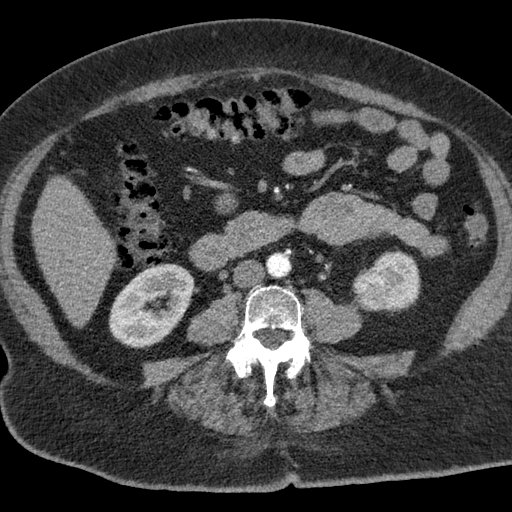
Axial slice 21 of 76 of a contrast-enhanced abdominal CT (slice 1 is the lowest), 120 kVp, kernel B; 3.00 mm slice thickness and 0.684 mm pixels.
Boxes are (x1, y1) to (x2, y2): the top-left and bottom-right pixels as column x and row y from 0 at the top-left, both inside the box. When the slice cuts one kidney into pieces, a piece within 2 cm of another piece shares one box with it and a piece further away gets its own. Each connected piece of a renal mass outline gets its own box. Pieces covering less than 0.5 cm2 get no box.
Boxed on this slice (two kidney boxes and one renal mass box), listed by box centre from the image's left to its right: (1) Right kidney from (108, 263) to (192, 348) (outlined area 5,143 px, about 24.0 cm2). (2) Left renal mass from (352, 266) to (389, 311) (outlined area 1,359 px, about 6.4 cm2). (3) Box (373, 250) to (420, 315): left kidney (outlined area 1,964 px, about 9.2 cm2).